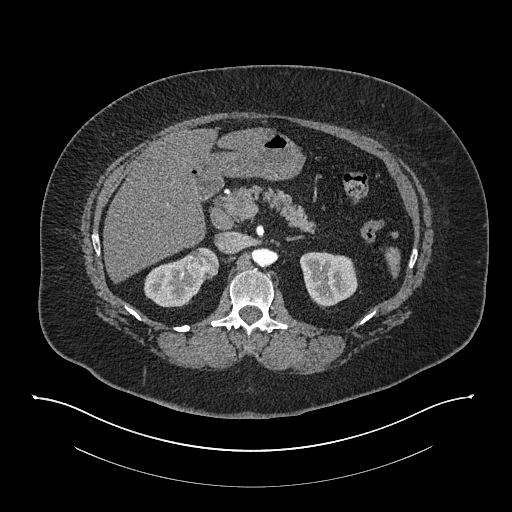
One axial slice (524 of 673, counting up from the lowest) of an arterial-phase abdominal CT acquired with 140 kVp, kernel I30f; each pixel is 0.957 mm and the slice is 1.00 mm thick.
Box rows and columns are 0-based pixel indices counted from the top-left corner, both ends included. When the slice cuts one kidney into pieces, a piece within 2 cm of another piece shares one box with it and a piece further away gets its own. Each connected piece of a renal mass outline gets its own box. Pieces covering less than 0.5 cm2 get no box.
Three boxes on this slice (two kidney boxes and one renal mass box), listed by box centre from the image's left to its right. (1) Box rows 254–307, columns 143–204: right kidney (outlined area 2,039 px, about 18.7 cm2). (2) Right renal mass at rows 247–280, columns 187–219 (outlined area 863 px, about 7.9 cm2). (3) Left kidney, box rows 251–308, columns 299–357 (outlined area 2,516 px, about 23.0 cm2).